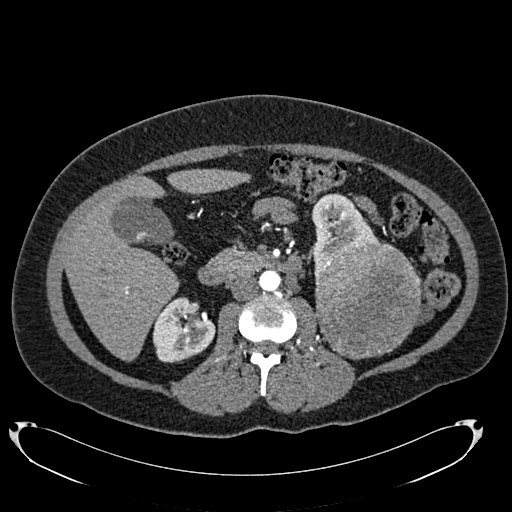
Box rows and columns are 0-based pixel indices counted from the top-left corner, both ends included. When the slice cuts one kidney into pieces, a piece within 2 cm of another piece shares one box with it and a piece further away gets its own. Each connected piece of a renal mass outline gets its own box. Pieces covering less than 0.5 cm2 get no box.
Arterial-phase contrast-enhanced abdominal CT, axial slice 412 of 634 (counted from the lowest slice); 1.00 mm thick, 0.838 mm per pixel. Boxed on this slice (two kidney boxes and one renal mass box), listed by box centre from the image's left to its right: (1) Box rows 297–362, columns 153–215: right kidney (outlined area 3,017 px, about 21.2 cm2). (2) Left kidney, box rows 193–274, columns 311–377 (outlined area 2,796 px, about 19.6 cm2). (3) Box rows 239–359, columns 315–421: left renal mass (outlined area 10,195 px, about 71.6 cm2).
Acquired at 120 kVp and reconstructed with the B20f kernel.